Contrast-enhanced abdominal CT, axial slice 331 of 787 (counted from the lowest slice); tube voltage 140 kVp, convolution kernel I30f; slices 1.00 mm thick, 0.910 mm per pixel.
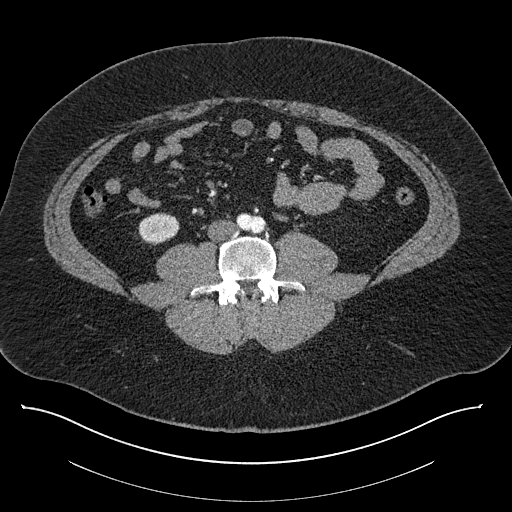
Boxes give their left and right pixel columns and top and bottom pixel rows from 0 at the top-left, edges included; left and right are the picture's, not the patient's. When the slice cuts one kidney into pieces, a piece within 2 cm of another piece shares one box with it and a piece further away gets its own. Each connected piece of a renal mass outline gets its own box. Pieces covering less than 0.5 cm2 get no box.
Right kidney in the box with left 138, top 212, right 179, bottom 245 (outlined area 1,032 px, about 8.5 cm2). No renal mass is outlined on this slice.